Abdominal CT with intravenous contrast, arterial phase, axial plane, 130 kVp, kernel B30s. Slice 78/110 from the bottom of the scan; thickness 5.00 mm; pixel size 0.836 mm.
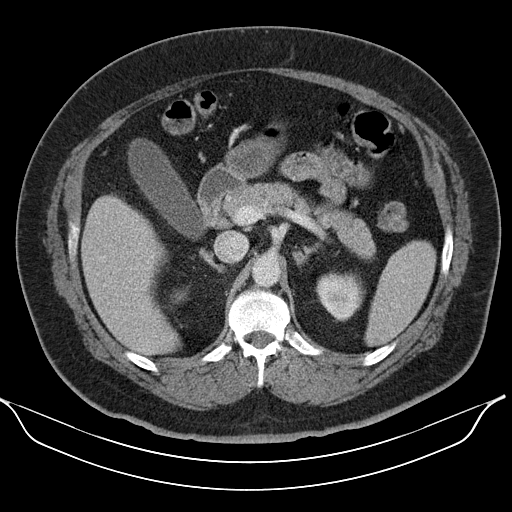
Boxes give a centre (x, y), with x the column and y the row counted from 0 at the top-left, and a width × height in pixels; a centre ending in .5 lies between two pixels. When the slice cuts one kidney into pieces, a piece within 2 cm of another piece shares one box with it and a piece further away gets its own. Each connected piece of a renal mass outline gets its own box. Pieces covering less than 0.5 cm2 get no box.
Boxed on this slice (two kidney boxes), listed by box centre from the image's left to its right: (1) Right kidney, box centre (179, 294.5), 19 × 18 pixels (outlined area 187 px, about 1.3 cm2). (2) Left kidney, box centre (340, 296), 51 × 51 pixels (outlined area 1,844 px, about 12.9 cm2). No renal mass is outlined on this slice.